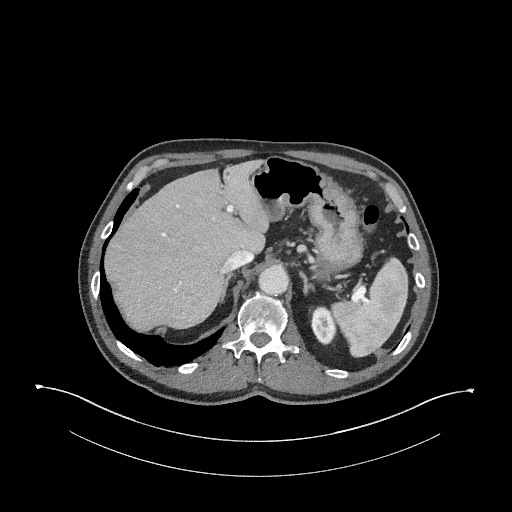
Abdominal CT with intravenous contrast, arterial phase, axial plane, 120 kVp, kernel I31f. Slice 186/345 from the bottom of the scan; thickness 2.00 mm; pixel size 0.977 mm.
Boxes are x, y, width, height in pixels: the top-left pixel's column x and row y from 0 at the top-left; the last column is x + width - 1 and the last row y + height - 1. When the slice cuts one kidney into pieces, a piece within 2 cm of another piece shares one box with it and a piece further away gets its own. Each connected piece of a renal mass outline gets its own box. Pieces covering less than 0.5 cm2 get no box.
Left kidney at x 309, y 306, width 30, height 40 (outlined area 837 px, about 8.0 cm2). No renal mass is outlined on this slice.